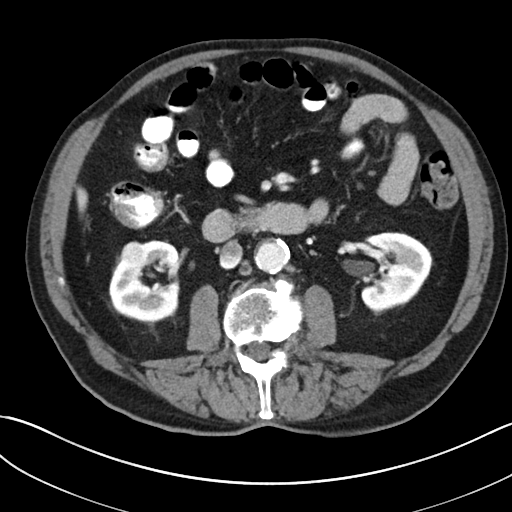
Contrast-enhanced abdominal CT, axial slice 120 of 269 (counted from the lowest slice); tube voltage 100 kVp, convolution kernel I30f; slices 5.00 mm thick, 0.732 mm per pixel.
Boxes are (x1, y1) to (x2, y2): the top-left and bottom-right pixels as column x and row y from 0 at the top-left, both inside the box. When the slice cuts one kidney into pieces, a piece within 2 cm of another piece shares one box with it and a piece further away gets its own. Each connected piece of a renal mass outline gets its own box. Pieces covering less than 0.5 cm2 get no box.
Boxed on this slice (two kidney boxes and one renal mass box), listed by box centre from the image's left to its right: (1) Box (120, 241) to (144, 263): right renal mass (outlined area 444 px, about 2.4 cm2). (2) Right kidney, box (109, 240) to (179, 320) (outlined area 4,214 px, about 22.6 cm2). (3) Left kidney, box (361, 232) to (432, 314) (outlined area 4,493 px, about 24.1 cm2).